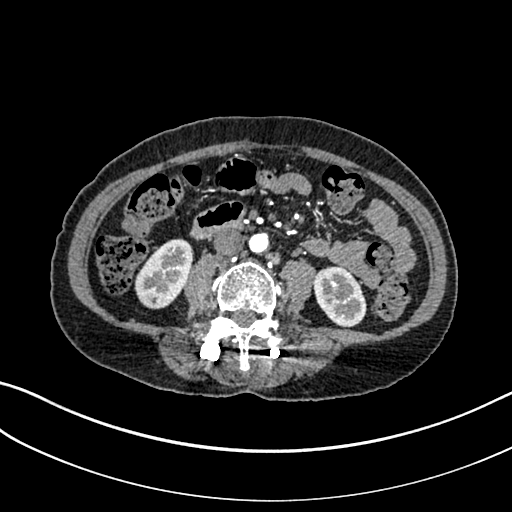
Axial slice 83 of 325 of a contrast-enhanced abdominal CT in the arterial phase (slice 1 is the lowest), 100 kVp, kernel I30f; 1.00 mm slice thickness and 0.703 mm pixels.
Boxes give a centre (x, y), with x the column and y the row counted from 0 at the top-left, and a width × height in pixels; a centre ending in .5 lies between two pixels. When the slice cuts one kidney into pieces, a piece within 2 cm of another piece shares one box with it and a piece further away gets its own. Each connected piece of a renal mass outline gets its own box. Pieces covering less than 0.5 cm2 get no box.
Two kidney boxes on this slice; by box centre, from the image's left to its right: (1) Box centre (163.5, 273.5), 60 × 72 pixels: right kidney (outlined area 2,880 px, about 14.2 cm2). (2) Left kidney in a box with centre (339.5, 296.5), 54 × 62 pixels (outlined area 2,450 px, about 12.1 cm2). No renal mass outline on this slice.